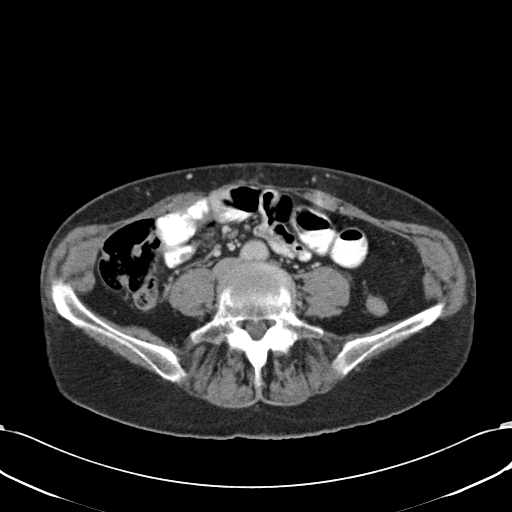
Contrast-enhanced abdominal CT, axial slice 41 of 90 (counted from the lowest slice); tube voltage 120 kVp, convolution kernel B31f; slices 5.00 mm thick, 0.707 mm per pixel.
Neither a kidney nor a renal mass is outlined here. Only kidneys and renal masses are outlined anywhere in this scan; other structures are never outlined.